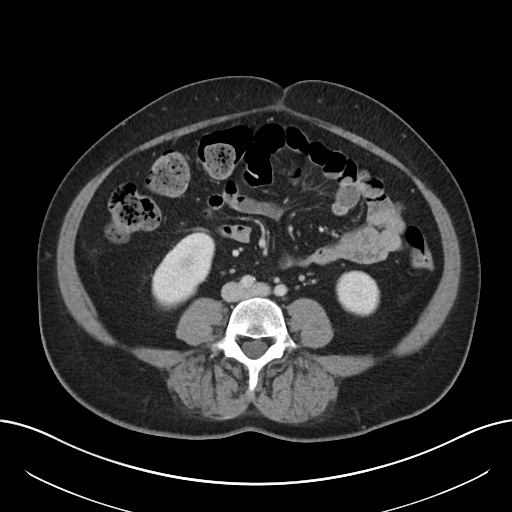
One axial slice (93 of 197, counting up from the lowest) of a contrast-enhanced abdominal CT acquired with 120 kVp, kernel I30f; each pixel is 0.791 mm and the slice is 5.00 mm thick.
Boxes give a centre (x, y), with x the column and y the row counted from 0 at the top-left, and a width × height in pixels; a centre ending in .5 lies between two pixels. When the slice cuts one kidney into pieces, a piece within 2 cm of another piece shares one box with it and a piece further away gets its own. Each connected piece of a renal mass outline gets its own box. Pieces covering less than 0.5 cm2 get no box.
Two boxes on this slice (two kidney boxes), listed by box centre from the image's left to its right. (1) Right kidney, box centre (183, 269), 65 × 81 pixels (outlined area 3,336 px, about 20.9 cm2). (2) Box centre (358, 293.5), 45 × 46 pixels: left kidney (outlined area 1,620 px, about 10.1 cm2). No renal mass is outlined on this slice.